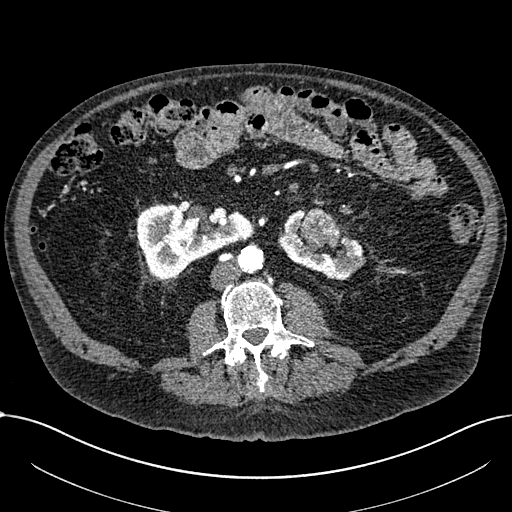
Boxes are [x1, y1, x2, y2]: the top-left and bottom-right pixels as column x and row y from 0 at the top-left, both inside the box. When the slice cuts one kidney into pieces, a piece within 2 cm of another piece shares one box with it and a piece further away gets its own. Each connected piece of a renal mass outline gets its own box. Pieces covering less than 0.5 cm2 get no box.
Slice 328/1059 of a contrast-enhanced abdominal CT in the arterial phase, counting up from the lowest; pixel size 0.811 mm, slice thickness 1.00 mm. Boxed on this slice (two kidney boxes and one renal mass box), listed by box centre from the image's left to its right: (1) Box [136, 203, 253, 279]: right part of the midline-crossing kidney (outlined area 5,879 px, about 38.6 cm2). (2) Box [298, 207, 341, 248]: renal mass (outlined area 1,283 px, about 8.4 cm2). (3) Left part of the midline-crossing kidney at [278, 207, 365, 280] (outlined area 2,834 px, about 18.6 cm2).
Tube voltage 100 kVp; convolution kernel I30f.